One axial slice (68 of 103, counting up from the lowest) of an arterial-phase abdominal CT acquired with 120 kVp, kernel B41f; each pixel is 0.951 mm and the slice is 5.00 mm thick.
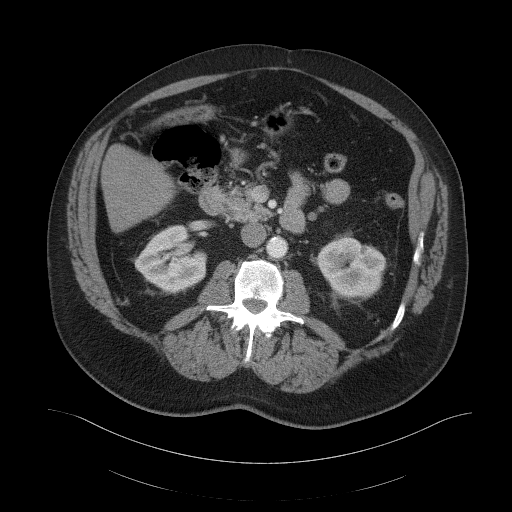
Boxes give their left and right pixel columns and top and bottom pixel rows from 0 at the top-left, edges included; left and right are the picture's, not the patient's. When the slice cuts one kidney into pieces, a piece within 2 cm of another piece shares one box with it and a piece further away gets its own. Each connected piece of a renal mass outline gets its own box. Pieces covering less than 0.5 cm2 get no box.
Boxed on this slice (two kidney boxes), listed by box centre from the image's left to its right: (1) Right kidney, the box with left 134, top 224, right 207, bottom 292 (outlined area 3,454 px, about 31.2 cm2). (2) Left kidney, the box with left 318, top 237, right 386, bottom 299 (outlined area 3,256 px, about 29.5 cm2). No renal mass outline on this slice.